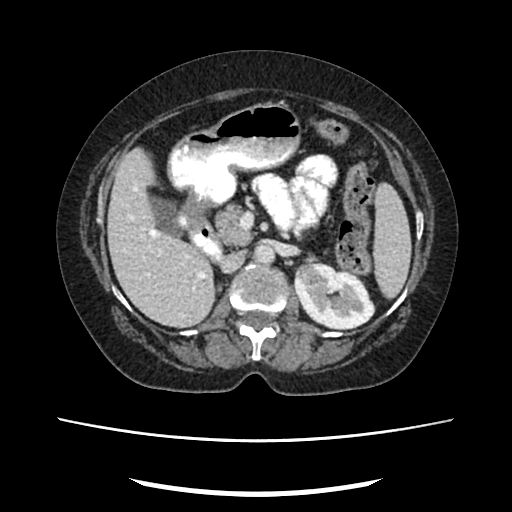
Abdominal CT with intravenous contrast, arterial phase, axial plane, 120 kVp, kernel FC18. Slice 145/207 from the bottom of the scan; thickness 2.00 mm; pixel size 0.741 mm.
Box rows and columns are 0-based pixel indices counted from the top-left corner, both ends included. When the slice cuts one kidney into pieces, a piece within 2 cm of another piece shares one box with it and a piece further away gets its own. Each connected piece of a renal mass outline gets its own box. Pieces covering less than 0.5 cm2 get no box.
One kidney box and one renal mass box on this slice; by box centre, from the image's left to its right: (1) Left renal mass, box rows 265–283, columns 296–316 (outlined area 307 px, about 1.7 cm2). (2) Box rows 261–330, columns 293–375: left kidney (outlined area 3,789 px, about 20.8 cm2).